One axial slice (416 of 591, counting up from the lowest) of an arterial-phase abdominal CT acquired with 140 kVp, kernel I30f; each pixel is 0.703 mm and the slice is 1.00 mm thick.
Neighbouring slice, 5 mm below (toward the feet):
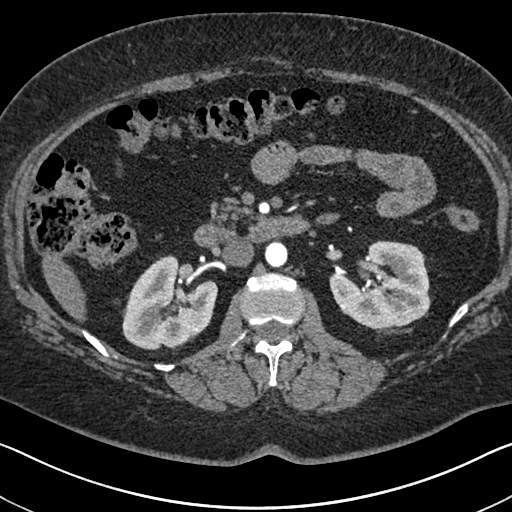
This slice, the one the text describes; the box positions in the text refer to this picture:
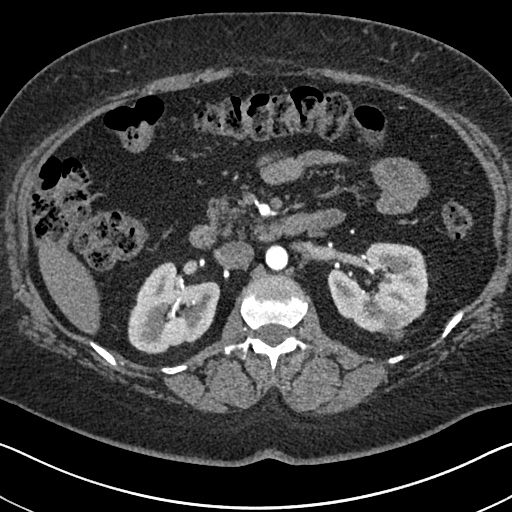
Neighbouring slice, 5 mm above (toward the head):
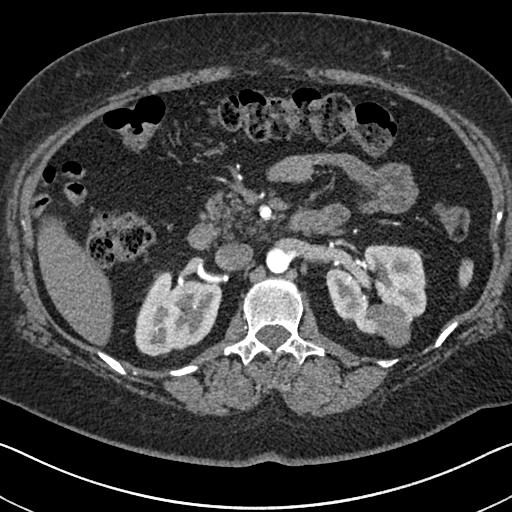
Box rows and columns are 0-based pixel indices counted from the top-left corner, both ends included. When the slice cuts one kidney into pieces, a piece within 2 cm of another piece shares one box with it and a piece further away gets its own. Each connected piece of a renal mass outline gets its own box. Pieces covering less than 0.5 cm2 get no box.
Boxed on this slice (two kidney boxes and one renal mass box), listed by box centre from the image's left to its right: (1) Box rows 261–354, columns 127–220: right kidney (outlined area 5,941 px, about 29.4 cm2). (2) Box rows 242–338, columns 327–429: left kidney (outlined area 6,646 px, about 32.9 cm2). (3) Left renal mass, box rows 318–338, columns 390–407 (outlined area 280 px, about 1.4 cm2). This slice lies near the end of the left renal mass toward the feet; the slices 5 mm below and 5 mm above it are shown too, and the boxes mark positions on this slice only.